Abdominal CT with intravenous contrast, axial plane, 140 kVp, kernel I44f. Slice 9/86 from the bottom of the scan; thickness 3.00 mm; pixel size 0.977 mm.
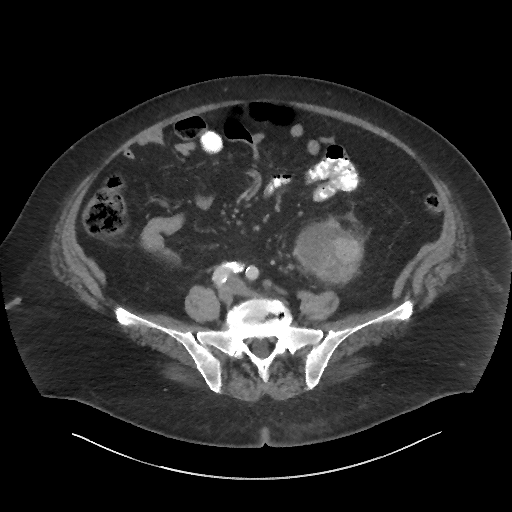
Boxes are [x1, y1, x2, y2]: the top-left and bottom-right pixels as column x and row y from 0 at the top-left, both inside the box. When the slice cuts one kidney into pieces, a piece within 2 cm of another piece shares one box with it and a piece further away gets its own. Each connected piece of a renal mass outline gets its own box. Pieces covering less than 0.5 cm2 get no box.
Box [293, 216, 363, 283]: left renal mass (outlined area 3,347 px, about 31.9 cm2); no kidney is outlined on this slice, but the same outlined renal mass comes within 1 cm of the kidney on another slice.